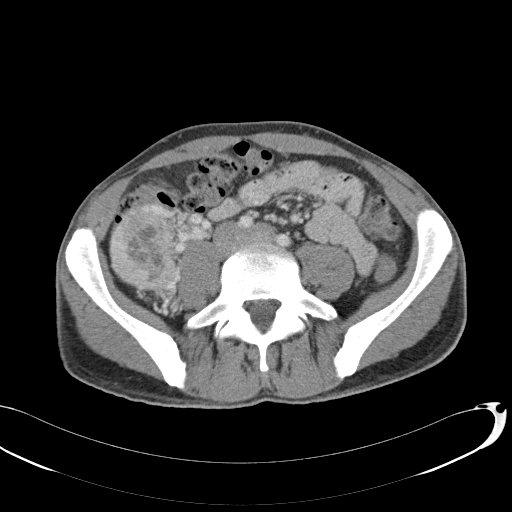
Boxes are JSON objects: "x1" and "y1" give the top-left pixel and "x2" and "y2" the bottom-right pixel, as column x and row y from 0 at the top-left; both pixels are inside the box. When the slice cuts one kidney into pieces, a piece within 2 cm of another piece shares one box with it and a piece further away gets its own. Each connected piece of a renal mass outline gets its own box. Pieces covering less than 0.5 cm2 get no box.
Contrast-enhanced abdominal CT, axial slice 47 of 146 (counted from the lowest slice); 5.00 mm thick, 0.742 mm per pixel. Box {"x1": 109, "y1": 206, "x2": 179, "y2": 292}: right renal mass (outlined area 4,948 px, about 27.3 cm2); this slice has no kidney outline, though on another slice the same outlined renal mass lies within 1 cm of the kidney.
Acquired at 120 kVp and reconstructed with the B31f kernel.